Arterial-phase contrast-enhanced abdominal CT, axial slice 38 of 195 (counted from the lowest slice); tube voltage 100 kVp, convolution kernel I31f; slices 1.50 mm thick, 0.707 mm per pixel.
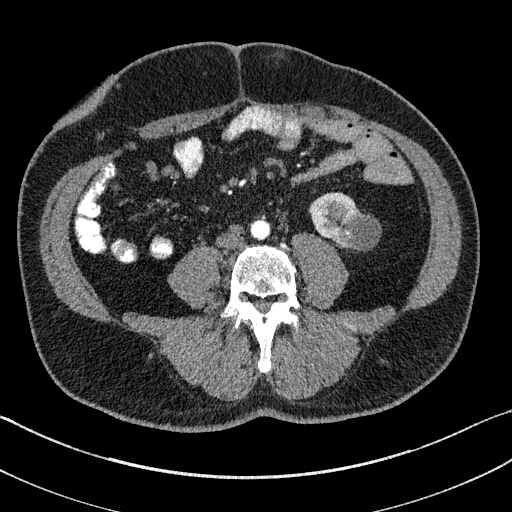
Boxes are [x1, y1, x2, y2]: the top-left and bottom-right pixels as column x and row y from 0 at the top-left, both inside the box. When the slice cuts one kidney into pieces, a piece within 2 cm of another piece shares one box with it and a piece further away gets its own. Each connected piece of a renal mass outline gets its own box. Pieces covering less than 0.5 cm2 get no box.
Left kidney, box [309, 192, 379, 249] (outlined area 2,720 px, about 13.6 cm2). This slice carries no renal mass outline.